One axial slice (447 of 787, counting up from the lowest) of a contrast-enhanced abdominal CT acquired with 140 kVp, kernel I30f; each pixel is 0.910 mm and the slice is 1.00 mm thick.
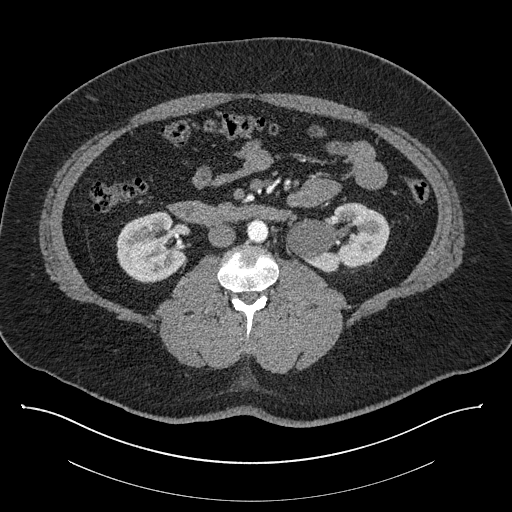
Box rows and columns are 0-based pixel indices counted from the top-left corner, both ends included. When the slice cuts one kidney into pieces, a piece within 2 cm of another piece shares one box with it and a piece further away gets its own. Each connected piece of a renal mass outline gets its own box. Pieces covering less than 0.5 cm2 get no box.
Two boxes on this slice (two kidney boxes), listed by box centre from the image's left to its right. (1) Right kidney at rows 211–281, columns 116–185 (outlined area 3,743 px, about 31.0 cm2). (2) Left kidney at rows 202–271, columns 286–389 (outlined area 4,795 px, about 39.7 cm2). No renal mass is outlined on this slice.